Axial slice 291 of 433 of a contrast-enhanced abdominal CT (slice 1 is the lowest), 120 kVp, kernel B30f; 1.00 mm slice thickness and 0.672 mm pixels.
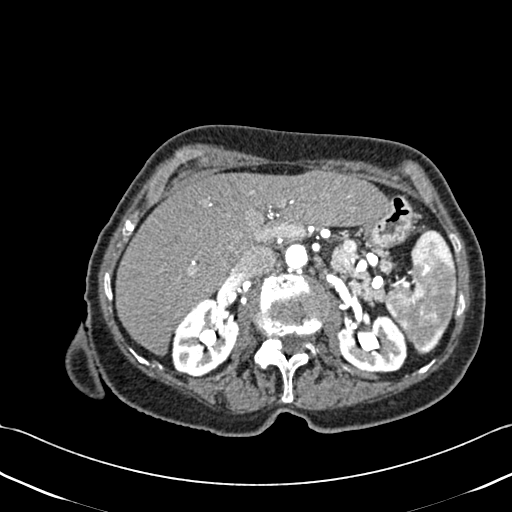
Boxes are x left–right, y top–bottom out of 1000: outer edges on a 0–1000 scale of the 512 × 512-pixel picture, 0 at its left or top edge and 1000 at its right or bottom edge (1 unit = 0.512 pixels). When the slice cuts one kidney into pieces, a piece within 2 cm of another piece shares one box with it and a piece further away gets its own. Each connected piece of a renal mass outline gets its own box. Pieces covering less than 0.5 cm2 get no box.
Two boxes on this slice (two kidney boxes), listed by box centre from the image's left to its right. (1) Right kidney, box x 334–469, y 580–738 out of 1000 (outlined area 3,873 px, about 17.5 cm2). (2) Box x 656–797, y 613–729 out of 1000: left kidney (outlined area 3,181 px, about 14.4 cm2). No renal mass outline on this slice.